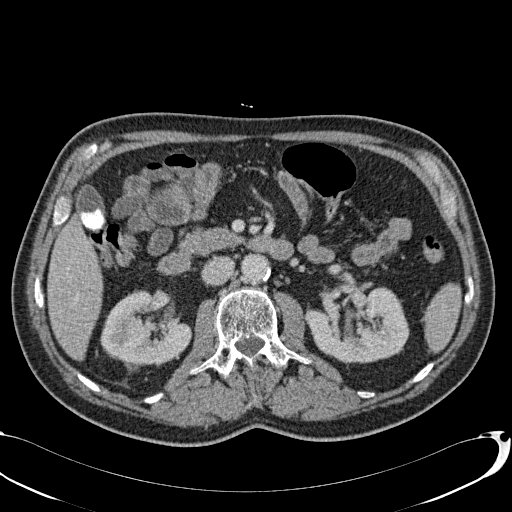
Axial slice 43 of 113 of a contrast-enhanced abdominal CT (slice 1 is the lowest), 120 kVp, kernel B31f; 2.00 mm slice thickness and 0.742 mm pixels.
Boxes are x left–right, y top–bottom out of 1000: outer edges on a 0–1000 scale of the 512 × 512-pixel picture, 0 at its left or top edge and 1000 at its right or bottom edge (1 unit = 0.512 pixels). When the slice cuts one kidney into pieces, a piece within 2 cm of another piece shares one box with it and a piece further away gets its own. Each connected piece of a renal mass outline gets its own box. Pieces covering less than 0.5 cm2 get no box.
Two kidney boxes on this slice; by box centre, from the image's left to its right: (1) Right kidney, box x 195–377, y 564–717 out of 1000 (outlined area 4,972 px, about 27.4 cm2). (2) Left kidney at x 596–799, y 559–713 out of 1000 (outlined area 5,850 px, about 32.2 cm2). This slice carries no renal mass outline.